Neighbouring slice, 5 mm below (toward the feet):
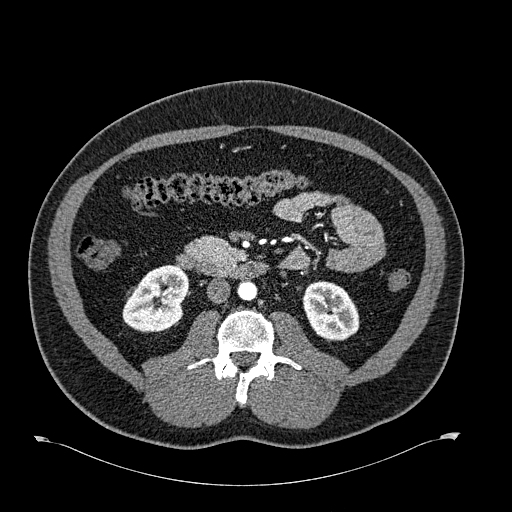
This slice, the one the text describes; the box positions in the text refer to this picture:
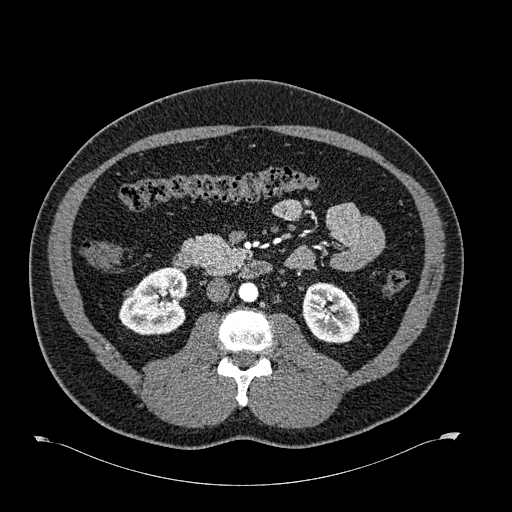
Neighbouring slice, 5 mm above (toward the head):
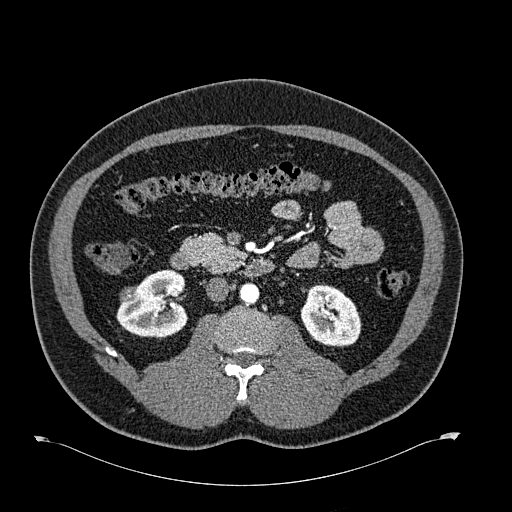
One axial slice (332 of 723, counting up from the lowest) of an arterial-phase abdominal CT acquired with 120 kVp, kernel B30f; each pixel is 0.895 mm and the slice is 1.00 mm thick.
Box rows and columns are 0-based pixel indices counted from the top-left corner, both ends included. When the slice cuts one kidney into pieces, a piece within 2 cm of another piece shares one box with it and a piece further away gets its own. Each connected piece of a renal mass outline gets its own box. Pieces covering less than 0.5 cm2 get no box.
Three boxes on this slice (two kidney boxes and one renal mass box), listed by box centre from the image's left to its right. (1) Right renal mass, box rows 288–299, columns 124–135 (outlined area 108 px, about 0.9 cm2). (2) Right kidney at rows 267–335, columns 119–188 (outlined area 3,468 px, about 27.8 cm2). (3) Left kidney, box rows 282–343, columns 302–359 (outlined area 2,746 px, about 22.0 cm2). This slice is near the end of the right renal mass toward the feet, so the slices 5 mm below and 5 mm above it are shown as well; the boxes refer to this slice only.